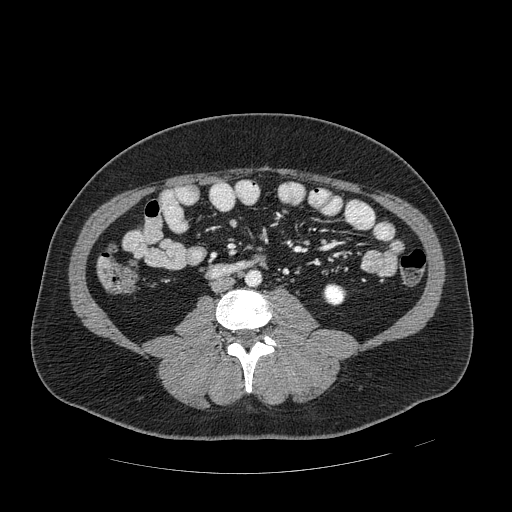
Axial slice 212 of 389 of a contrast-enhanced abdominal CT in the arterial phase (slice 1 is the lowest), 120 kVp, kernel STANDARD; 1.25 mm slice thickness and 0.869 mm pixels.
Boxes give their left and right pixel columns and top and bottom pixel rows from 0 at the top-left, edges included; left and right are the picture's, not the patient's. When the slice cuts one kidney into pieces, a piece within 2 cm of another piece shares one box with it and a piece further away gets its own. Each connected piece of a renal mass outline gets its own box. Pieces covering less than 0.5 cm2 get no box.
Box with left 322, top 283, right 346, bottom 305: left kidney (outlined area 433 px, about 3.3 cm2). This slice carries no renal mass outline.